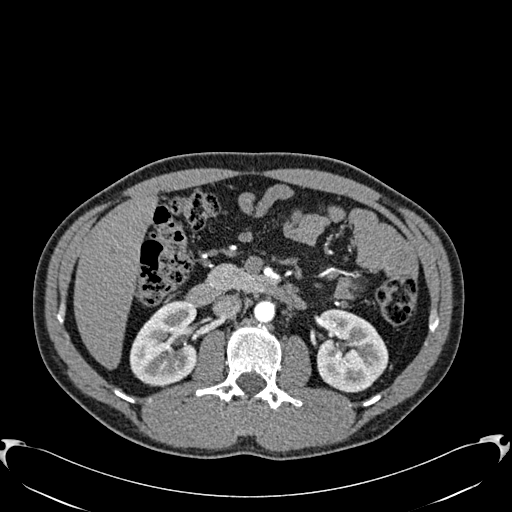
Axial slice 349 of 512 of a contrast-enhanced abdominal CT in the arterial phase (slice 1 is the lowest), 120 kVp, kernel B30f; 1.00 mm slice thickness and 0.771 mm pixels.
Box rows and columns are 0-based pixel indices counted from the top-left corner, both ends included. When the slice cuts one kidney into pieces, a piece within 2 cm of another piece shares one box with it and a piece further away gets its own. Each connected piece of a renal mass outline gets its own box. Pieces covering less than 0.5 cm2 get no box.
Two kidney boxes on this slice; by box centre, from the image's left to its right: (1) Box rows 301–386, columns 129–197: right kidney (outlined area 4,486 px, about 26.7 cm2). (2) Box rows 309–392, columns 316–388: left kidney (outlined area 4,631 px, about 27.6 cm2). This slice carries no renal mass outline.